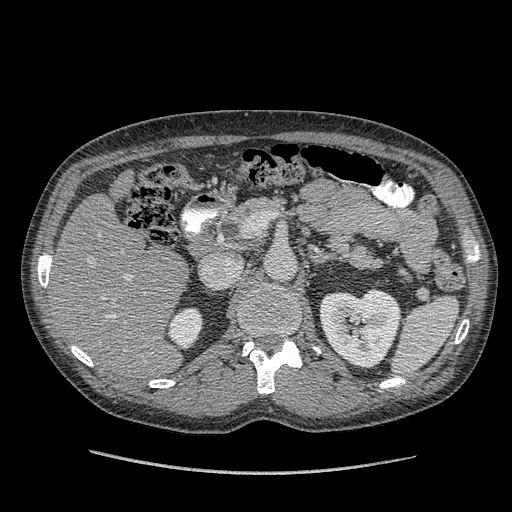
One axial slice (238 of 349, counting up from the lowest) of an arterial-phase abdominal CT acquired with 120 kVp, kernel STANDARD; each pixel is 0.742 mm and the slice is 1.25 mm thick.
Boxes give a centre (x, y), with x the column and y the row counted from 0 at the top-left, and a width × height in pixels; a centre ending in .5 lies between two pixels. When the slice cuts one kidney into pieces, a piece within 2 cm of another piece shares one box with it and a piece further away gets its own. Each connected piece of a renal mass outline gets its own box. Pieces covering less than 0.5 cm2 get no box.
Two kidney boxes on this slice; by box centre, from the image's left to its right: (1) Box centre (185.5, 327.5), 36 × 42 pixels: right kidney (outlined area 1,110 px, about 6.1 cm2). (2) Left kidney in a box with centre (359.5, 328), 82 × 81 pixels (outlined area 5,019 px, about 27.6 cm2). No renal mass is outlined on this slice.